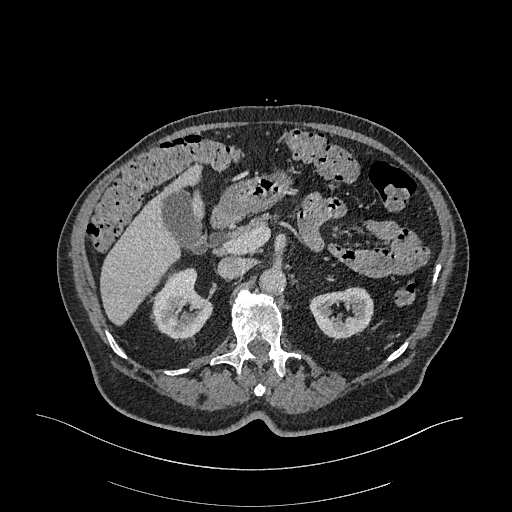
Abdominal CT with intravenous contrast, arterial phase, axial plane, 120 kVp, kernel I26f. Slice 210/470 from the bottom of the scan; thickness 1.00 mm; pixel size 0.938 mm.
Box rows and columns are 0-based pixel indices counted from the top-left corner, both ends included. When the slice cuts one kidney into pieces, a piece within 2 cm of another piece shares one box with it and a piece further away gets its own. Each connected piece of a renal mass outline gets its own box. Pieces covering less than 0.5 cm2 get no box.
Boxed on this slice (two kidney boxes), listed by box centre from the image's left to its right: (1) Right kidney, box rows 267–338, columns 152–212 (outlined area 2,951 px, about 25.9 cm2). (2) Left kidney, box rows 287–337, columns 309–373 (outlined area 2,345 px, about 20.6 cm2). This slice carries no renal mass outline.